Axial slice 312 of 705 of a contrast-enhanced abdominal CT in the arterial phase (slice 1 is the lowest), 120 kVp, kernel I30f; 1.00 mm slice thickness and 0.703 mm pixels.
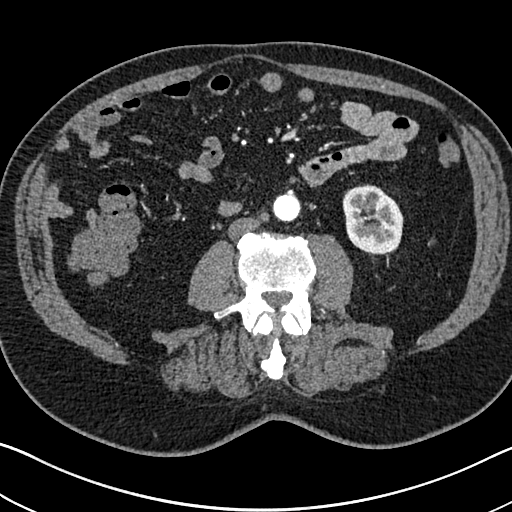
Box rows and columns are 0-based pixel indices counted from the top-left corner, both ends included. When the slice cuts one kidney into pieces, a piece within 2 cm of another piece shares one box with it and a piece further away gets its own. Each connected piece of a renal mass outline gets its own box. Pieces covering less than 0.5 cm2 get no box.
Left kidney at rows 184–254, columns 342–403 (outlined area 3,416 px, about 16.9 cm2). This slice carries no renal mass outline.